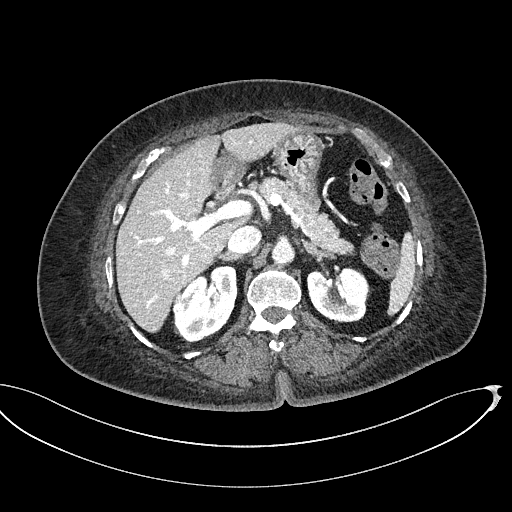
Abdominal CT with intravenous contrast, axial plane, 100 kVp, kernel I40f. Slice 332/439 from the bottom of the scan; thickness 2.00 mm; pixel size 0.850 mm.
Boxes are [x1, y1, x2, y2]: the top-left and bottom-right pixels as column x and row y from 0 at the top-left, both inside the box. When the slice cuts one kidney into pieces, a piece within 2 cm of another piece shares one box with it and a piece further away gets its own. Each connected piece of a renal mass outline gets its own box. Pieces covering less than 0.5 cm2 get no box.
Boxed on this slice (two kidney boxes), listed by box centre from the image's left to its right: (1) Right kidney at [172, 265, 237, 344] (outlined area 3,609 px, about 26.1 cm2). (2) Left kidney at [306, 266, 370, 323] (outlined area 2,861 px, about 20.7 cm2). This slice carries no renal mass outline.